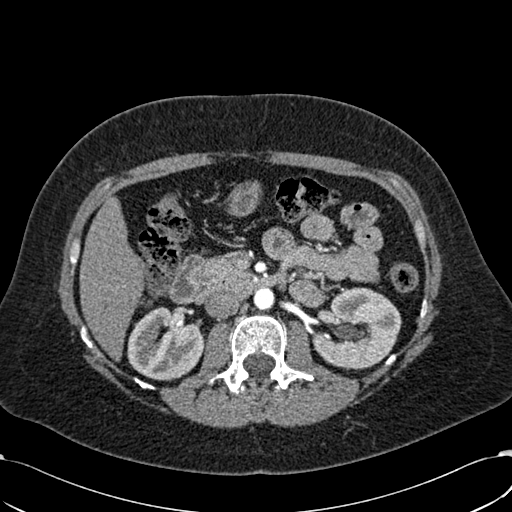
Abdominal CT with intravenous contrast, arterial phase, axial plane, 120 kVp, kernel B30f. Slice 363/532 from the bottom of the scan; thickness 1.00 mm; pixel size 0.713 mm.
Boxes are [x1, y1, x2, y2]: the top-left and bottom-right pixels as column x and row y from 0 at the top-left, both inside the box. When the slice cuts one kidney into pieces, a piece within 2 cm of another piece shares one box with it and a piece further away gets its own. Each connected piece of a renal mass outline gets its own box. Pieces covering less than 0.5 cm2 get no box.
Two boxes on this slice (two kidney boxes), listed by box centre from the image's left to its right. (1) Box [127, 307, 203, 380]: right kidney (outlined area 4,202 px, about 21.4 cm2). (2) Box [312, 287, 401, 369]: left kidney (outlined area 5,333 px, about 27.1 cm2). This slice carries no renal mass outline.